Abdominal CT with intravenous contrast, arterial phase, axial plane, 120 kVp, kernel B30f. Slice 337/532 from the bottom of the scan; thickness 1.00 mm; pixel size 0.713 mm.
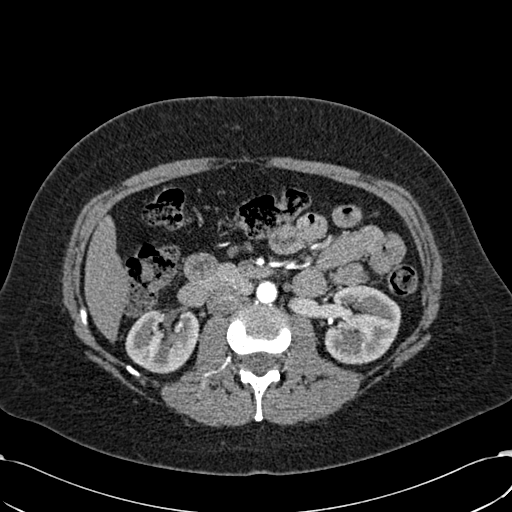
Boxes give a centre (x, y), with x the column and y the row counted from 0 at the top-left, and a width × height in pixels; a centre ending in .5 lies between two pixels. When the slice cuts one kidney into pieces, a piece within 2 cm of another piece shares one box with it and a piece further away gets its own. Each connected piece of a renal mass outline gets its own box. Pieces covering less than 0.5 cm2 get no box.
Boxed on this slice (two kidney boxes), listed by box centre from the image's left to its right: (1) Box centre (162, 340.5), 75 × 66 pixels: right kidney (outlined area 3,730 px, about 19.0 cm2). (2) Left kidney, box centre (362.5, 324), 78 × 81 pixels (outlined area 4,852 px, about 24.7 cm2). No renal mass outline on this slice.